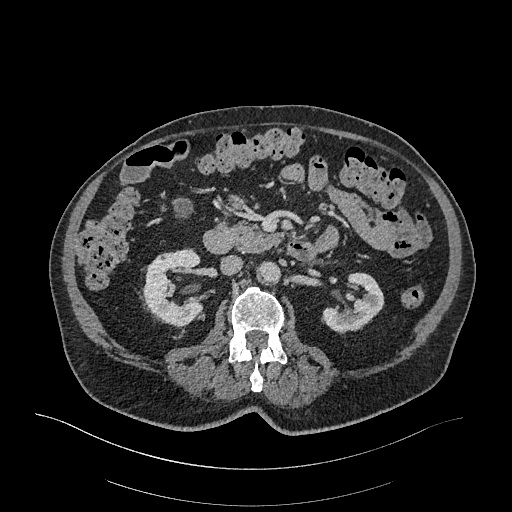
Arterial-phase contrast-enhanced abdominal CT, axial slice 160 of 470 (counted from the lowest slice); tube voltage 120 kVp, convolution kernel I26f; slices 1.00 mm thick, 0.938 mm per pixel.
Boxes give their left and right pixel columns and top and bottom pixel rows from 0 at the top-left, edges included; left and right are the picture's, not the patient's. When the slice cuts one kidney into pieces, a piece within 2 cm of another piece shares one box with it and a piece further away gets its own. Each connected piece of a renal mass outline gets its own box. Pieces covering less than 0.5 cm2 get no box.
Boxed on this slice (two kidney boxes), listed by box centre from the image's left to its right: (1) Right kidney, the box with left 142, top 249, right 203, bottom 327 (outlined area 3,299 px, about 29.0 cm2). (2) Left kidney in the box with left 322, top 272, right 384, bottom 333 (outlined area 2,353 px, about 20.7 cm2). No renal mass is outlined on this slice.